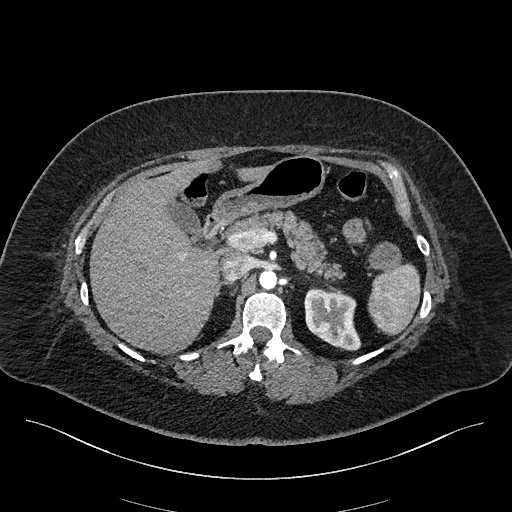
One axial slice (144 of 270, counting up from the lowest) of an arterial-phase abdominal CT acquired with 100 kVp, kernel I40f; each pixel is 0.855 mm and the slice is 2.00 mm thick.
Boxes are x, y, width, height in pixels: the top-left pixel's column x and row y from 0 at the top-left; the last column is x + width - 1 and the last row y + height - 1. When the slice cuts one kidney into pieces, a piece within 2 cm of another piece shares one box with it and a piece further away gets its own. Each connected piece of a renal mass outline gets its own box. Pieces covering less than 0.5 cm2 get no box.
Box x 304, y 287, width 58, height 64: left kidney (outlined area 2,646 px, about 19.4 cm2). No renal mass is outlined on this slice.